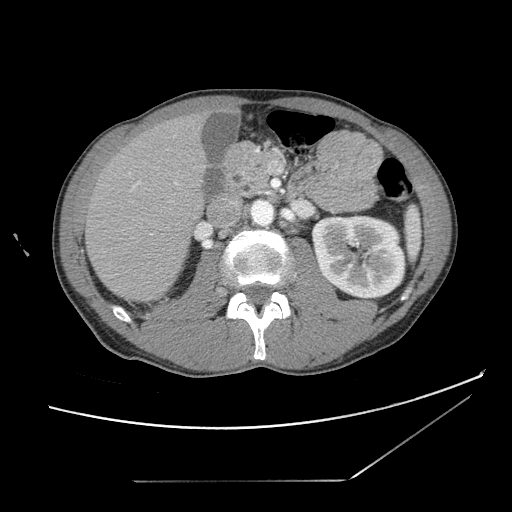
Axial slice 65 of 121 of a contrast-enhanced abdominal CT (slice 1 is the lowest), 120 kVp, kernel STANDARD; 2.50 mm slice thickness and 0.742 mm pixels.
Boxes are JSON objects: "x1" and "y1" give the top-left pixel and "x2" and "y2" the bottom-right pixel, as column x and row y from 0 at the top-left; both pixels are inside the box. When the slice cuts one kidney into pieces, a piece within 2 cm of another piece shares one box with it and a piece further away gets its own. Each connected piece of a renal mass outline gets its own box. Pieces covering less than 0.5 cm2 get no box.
Left kidney, box {"x1": 311, "y1": 214, "x2": 405, "y2": 300} (outlined area 6,451 px, about 35.5 cm2). No renal mass outline on this slice.